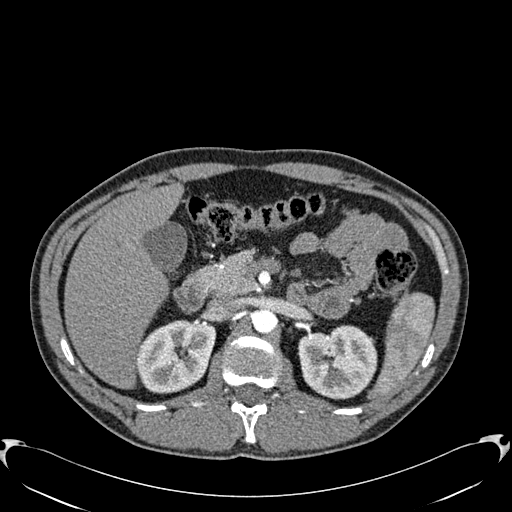
Arterial-phase contrast-enhanced abdominal CT, axial slice 393 of 512 (counted from the lowest slice); tube voltage 120 kVp, convolution kernel B30f; slices 1.00 mm thick, 0.771 mm per pixel.
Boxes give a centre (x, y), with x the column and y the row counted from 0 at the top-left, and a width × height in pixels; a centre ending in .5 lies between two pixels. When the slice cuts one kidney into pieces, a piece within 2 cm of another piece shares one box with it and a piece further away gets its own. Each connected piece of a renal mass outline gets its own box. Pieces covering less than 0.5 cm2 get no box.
Two boxes on this slice (two kidney boxes), listed by box centre from the image's left to its right. (1) Box centre (176, 356.5), 81 × 74 pixels: right kidney (outlined area 4,546 px, about 27.1 cm2). (2) Box centre (337.5, 362), 80 × 75 pixels: left kidney (outlined area 4,679 px, about 27.8 cm2). No renal mass outline on this slice.